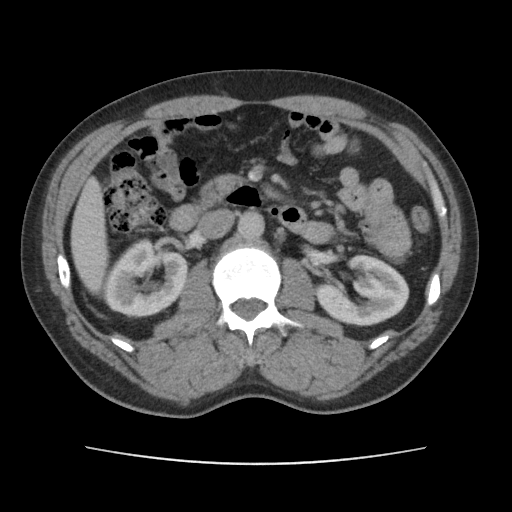
Arterial-phase contrast-enhanced abdominal CT, axial slice 67 of 101 (counted from the lowest slice); tube voltage 120 kVp, convolution kernel FC14; slices 5.00 mm thick, 0.755 mm per pixel.
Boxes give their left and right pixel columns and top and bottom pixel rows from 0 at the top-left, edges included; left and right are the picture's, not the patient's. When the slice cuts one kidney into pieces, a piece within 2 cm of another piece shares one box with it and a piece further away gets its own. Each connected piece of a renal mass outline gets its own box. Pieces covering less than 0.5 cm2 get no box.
Three boxes on this slice (two kidney boxes and one renal mass box), listed by box centre from the image's left to its right. (1) Box with left 103, top 273, right 134, bottom 307: right renal mass (outlined area 906 px, about 5.2 cm2). (2) Box with left 108, top 237, right 188, bottom 318: right kidney (outlined area 3,964 px, about 22.6 cm2). (3) Left kidney, the box with left 315, top 254, right 409, bottom 326 (outlined area 4,650 px, about 26.5 cm2).